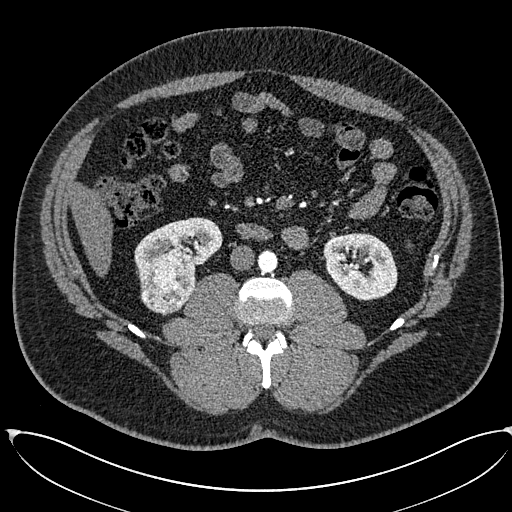
Arterial-phase contrast-enhanced abdominal CT, axial slice 292 of 673 (counted from the lowest slice); tube voltage 120 kVp, convolution kernel I30f; slices 1.00 mm thick, 0.855 mm per pixel.
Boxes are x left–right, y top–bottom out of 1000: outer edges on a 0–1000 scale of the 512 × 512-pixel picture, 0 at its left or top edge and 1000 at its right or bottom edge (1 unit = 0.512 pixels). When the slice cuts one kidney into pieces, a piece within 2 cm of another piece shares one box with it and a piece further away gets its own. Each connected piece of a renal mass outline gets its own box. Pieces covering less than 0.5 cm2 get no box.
Boxed on this slice (two kidney boxes and one renal mass box), listed by box centre from the image's left to its right: (1) Right renal mass at x 270–383, y 482–613 out of 1000 (outlined area 2,829 px, about 20.7 cm2). (2) Right kidney, box x 262–436, y 424–537 out of 1000 (outlined area 2,900 px, about 21.2 cm2). (3) Box x 631–777, y 455–588 out of 1000: left kidney (outlined area 3,843 px, about 28.1 cm2).